Abdominal CT with intravenous contrast, axial plane, 140 kVp, kernel I30f. Slice 562/787 from the bottom of the scan; thickness 1.00 mm; pixel size 0.910 mm.
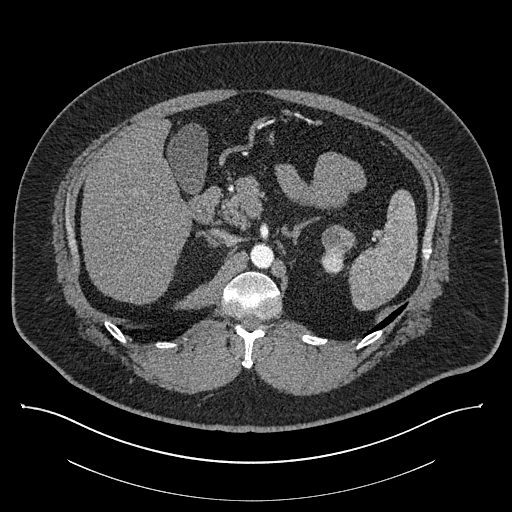
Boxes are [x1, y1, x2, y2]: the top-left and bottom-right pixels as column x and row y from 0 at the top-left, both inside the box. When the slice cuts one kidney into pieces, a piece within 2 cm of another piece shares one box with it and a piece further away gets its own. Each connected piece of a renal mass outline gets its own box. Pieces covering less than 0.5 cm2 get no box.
One kidney box and one renal mass box on this slice; by box centre, from the image's left to its right: (1) Left kidney at [320, 250, 344, 273] (outlined area 397 px, about 3.3 cm2). (2) Left renal mass at [321, 225, 354, 255] (outlined area 792 px, about 6.6 cm2).